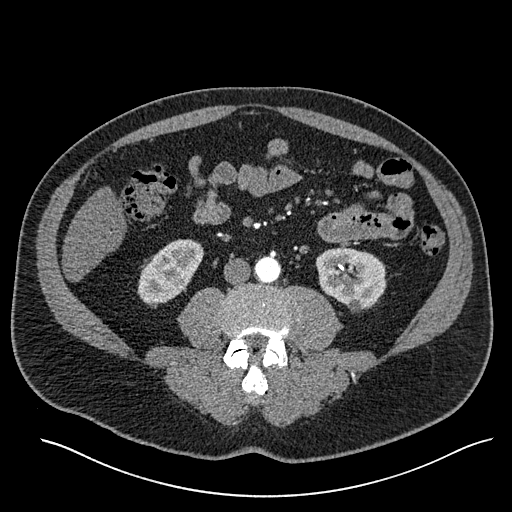
Axial slice 226 of 527 of a contrast-enhanced abdominal CT in the arterial phase (slice 1 is the lowest), 120 kVp, kernel I30f; 1.00 mm slice thickness and 0.859 mm pixels.
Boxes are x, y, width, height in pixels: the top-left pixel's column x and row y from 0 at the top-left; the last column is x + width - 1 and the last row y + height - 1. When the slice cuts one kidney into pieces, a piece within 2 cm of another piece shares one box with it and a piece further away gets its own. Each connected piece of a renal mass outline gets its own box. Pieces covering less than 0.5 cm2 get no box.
Boxed on this slice (two kidney boxes), listed by box centre from the image's left to its right: (1) Box x 137, y 239, width 68, height 65: right kidney (outlined area 2,889 px, about 21.3 cm2). (2) Left kidney, box x 315, y 247, width 72, height 66 (outlined area 3,480 px, about 25.7 cm2). No renal mass outline on this slice.